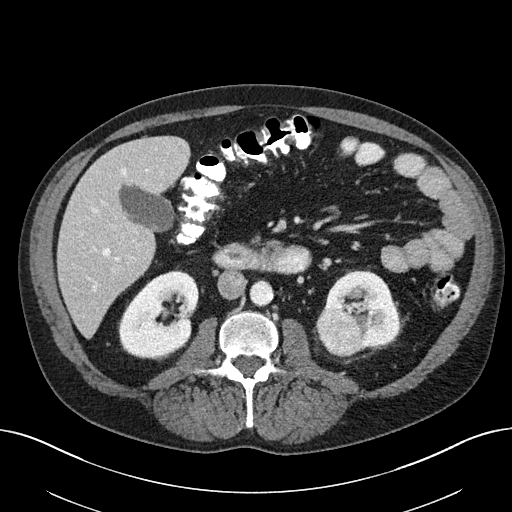
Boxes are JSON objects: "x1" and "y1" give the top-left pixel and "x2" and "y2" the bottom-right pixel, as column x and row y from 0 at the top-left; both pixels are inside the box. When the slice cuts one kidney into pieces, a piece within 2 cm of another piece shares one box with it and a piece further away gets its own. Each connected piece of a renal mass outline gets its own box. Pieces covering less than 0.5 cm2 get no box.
This is axial slice 104 of 163 (slice 1 is the lowest) of an abdominal CT with contrast; each pixel is 0.799 mm and the slice is 3.00 mm thick. Two kidney boxes and one renal mass box on this slice; by box centre, from the image's left to its right: (1) Box {"x1": 119, "y1": 270, "x2": 198, "y2": 359}: right kidney (outlined area 5,043 px, about 32.2 cm2). (2) Left renal mass, box {"x1": 317, "y1": 308, "x2": 361, "y2": 356} (outlined area 1,704 px, about 10.9 cm2). (3) Left kidney at {"x1": 324, "y1": 270, "x2": 399, "y2": 350} (outlined area 3,620 px, about 23.1 cm2).
Tube voltage 100 kVp; convolution kernel I40f.